Arterial-phase contrast-enhanced abdominal CT, axial slice 110 of 195 (counted from the lowest slice); tube voltage 100 kVp, convolution kernel I31f; slices 1.50 mm thick, 0.707 mm per pixel.
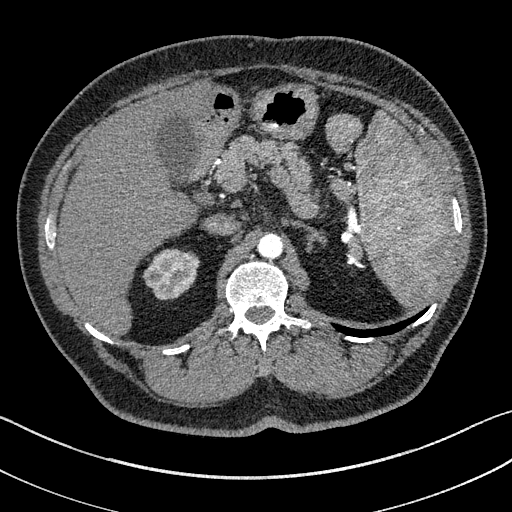
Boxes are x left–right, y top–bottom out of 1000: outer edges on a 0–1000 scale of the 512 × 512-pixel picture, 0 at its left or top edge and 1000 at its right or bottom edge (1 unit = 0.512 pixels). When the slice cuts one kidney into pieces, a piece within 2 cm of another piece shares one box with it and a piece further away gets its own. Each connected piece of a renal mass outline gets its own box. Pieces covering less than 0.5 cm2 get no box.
Box x 279–389, y 486–586 out of 1000: right kidney (outlined area 2,052 px, about 10.3 cm2). No renal mass is outlined on this slice.